Axial slice 78 of 107 of a contrast-enhanced abdominal CT (slice 1 is the lowest), 120 kVp, kernel B31f; 5.00 mm slice thickness and 0.941 mm pixels.
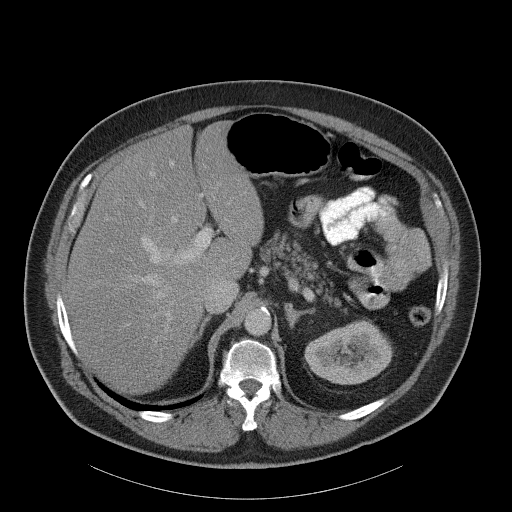
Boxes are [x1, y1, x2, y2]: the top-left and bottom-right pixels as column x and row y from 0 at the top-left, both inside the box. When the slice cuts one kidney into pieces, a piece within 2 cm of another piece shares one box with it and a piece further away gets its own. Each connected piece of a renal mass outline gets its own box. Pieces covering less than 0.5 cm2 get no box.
Left kidney, box [304, 319, 393, 384] (outlined area 4,212 px, about 37.3 cm2). No renal mass is outlined on this slice.